Axial slice 65 of 274 of a contrast-enhanced abdominal CT in the arterial phase (slice 1 is the lowest), 120 kVp, kernel B30f; 2.00 mm slice thickness and 0.809 mm pixels.
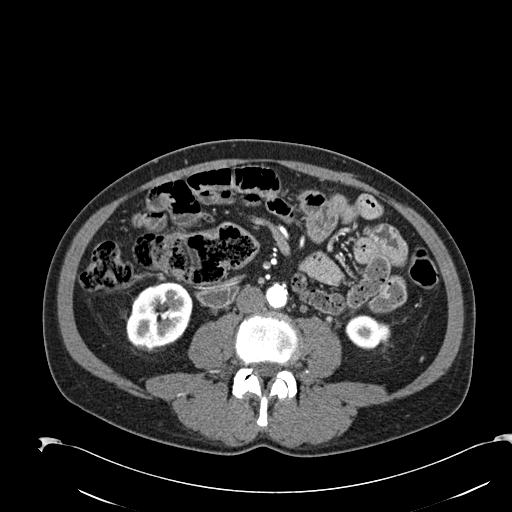
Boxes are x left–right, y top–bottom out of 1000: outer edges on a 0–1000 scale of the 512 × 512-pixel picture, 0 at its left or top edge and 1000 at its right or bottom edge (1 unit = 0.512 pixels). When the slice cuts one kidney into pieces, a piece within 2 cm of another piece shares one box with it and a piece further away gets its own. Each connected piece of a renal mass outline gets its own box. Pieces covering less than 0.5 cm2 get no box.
Two boxes on this slice (two kidney boxes), listed by box centre from the image's left to its right. (1) Box x 246–377, y 549–680 out of 1000: right kidney (outlined area 3,490 px, about 22.8 cm2). (2) Left kidney at x 674–764, y 615–684 out of 1000 (outlined area 1,154 px, about 7.5 cm2). No renal mass is outlined on this slice.